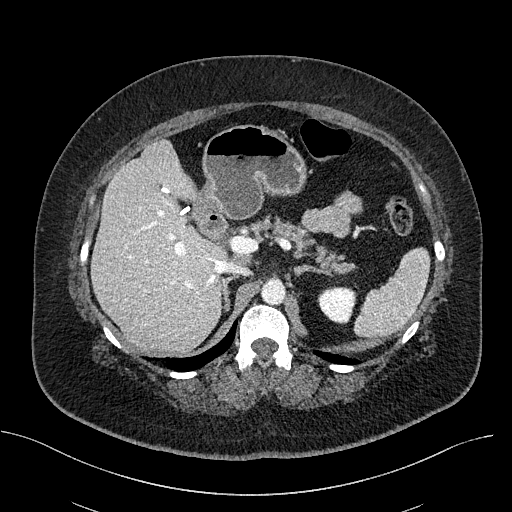
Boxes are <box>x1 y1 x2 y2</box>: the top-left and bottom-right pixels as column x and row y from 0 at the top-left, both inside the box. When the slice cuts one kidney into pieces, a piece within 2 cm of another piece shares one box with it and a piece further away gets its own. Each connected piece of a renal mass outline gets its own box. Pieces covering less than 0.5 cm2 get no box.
This is axial slice 341 of 470 (slice 1 is the lowest) of an abdominal CT with contrast; each pixel is 0.824 mm and the slice is 2.00 mm thick. Left kidney at <box>317 287 355 323</box> (outlined area 1,123 px, about 7.6 cm2). No renal mass is outlined on this slice.
Scan settings: 100 kVp, I40f reconstruction kernel.